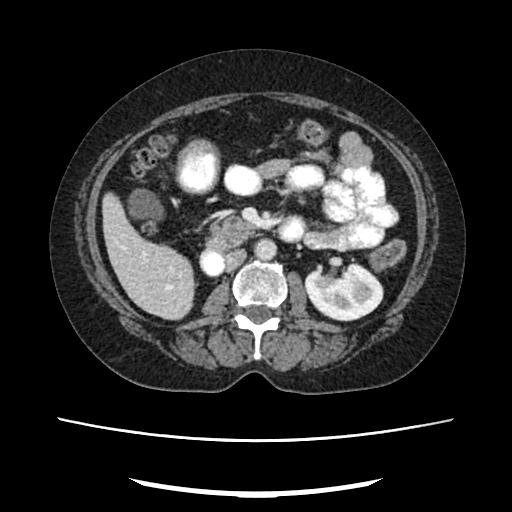
Arterial-phase contrast-enhanced abdominal CT, axial slice 133 of 207 (counted from the lowest slice); tube voltage 120 kVp, convolution kernel FC18; slices 2.00 mm thick, 0.741 mm per pixel.
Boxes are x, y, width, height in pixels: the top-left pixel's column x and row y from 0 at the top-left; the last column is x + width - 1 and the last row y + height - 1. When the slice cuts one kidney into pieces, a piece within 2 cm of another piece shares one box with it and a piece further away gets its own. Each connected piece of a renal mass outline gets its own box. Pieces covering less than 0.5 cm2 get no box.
Left kidney, box x 304, y 260, width 80, height 62 (outlined area 3,552 px, about 19.5 cm2). No renal mass outline on this slice.